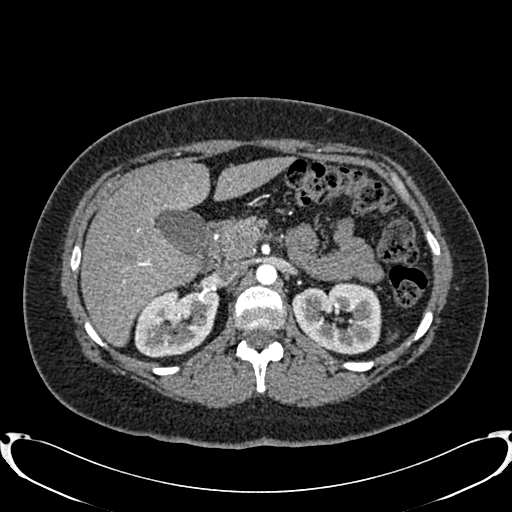
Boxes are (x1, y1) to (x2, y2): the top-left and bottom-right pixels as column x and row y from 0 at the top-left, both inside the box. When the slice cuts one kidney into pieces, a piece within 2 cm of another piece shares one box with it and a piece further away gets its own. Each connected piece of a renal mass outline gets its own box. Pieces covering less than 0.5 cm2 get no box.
This is axial slice 530 of 719 (slice 1 is the lowest) of an arterial-phase abdominal CT with contrast; each pixel is 0.766 mm and the slice is 1.00 mm thick. Two boxes on this slice (two kidney boxes), listed by box centre from the image's left to its right. (1) Right kidney from (134, 288) to (218, 357) (outlined area 4,531 px, about 26.6 cm2). (2) Left kidney, box (291, 282) to (381, 354) (outlined area 4,894 px, about 28.7 cm2). No renal mass is outlined on this slice.
Acquired at 120 kVp and reconstructed with the B20f kernel.